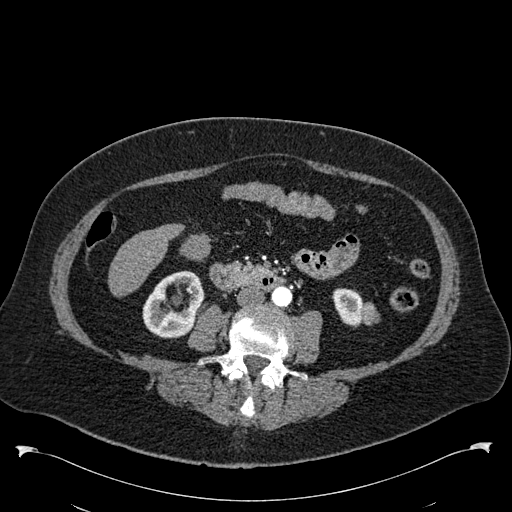
One axial slice (242 of 538, counting up from the lowest) of an arterial-phase abdominal CT acquired with 120 kVp, kernel B30f; each pixel is 0.811 mm and the slice is 1.00 mm thick.
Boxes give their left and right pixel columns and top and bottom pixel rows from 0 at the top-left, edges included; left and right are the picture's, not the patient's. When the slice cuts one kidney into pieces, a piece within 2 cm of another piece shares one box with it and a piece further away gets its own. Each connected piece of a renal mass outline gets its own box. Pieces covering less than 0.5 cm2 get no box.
Two kidney boxes and one renal mass box on this slice; by box centre, from the image's left to its right: (1) Right kidney, the box with left 142, top 270, right 204, bottom 338 (outlined area 2,842 px, about 18.7 cm2). (2) Left kidney in the box with left 332, top 288, right 362, bottom 327 (outlined area 898 px, about 5.9 cm2). (3) Box with left 360, top 300, right 379, bottom 325: left renal mass (outlined area 363 px, about 2.4 cm2).